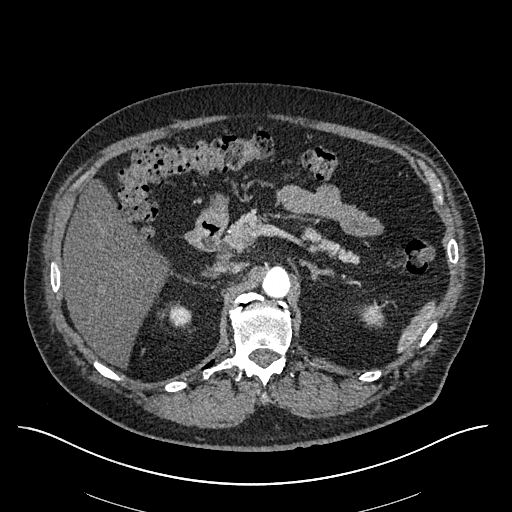
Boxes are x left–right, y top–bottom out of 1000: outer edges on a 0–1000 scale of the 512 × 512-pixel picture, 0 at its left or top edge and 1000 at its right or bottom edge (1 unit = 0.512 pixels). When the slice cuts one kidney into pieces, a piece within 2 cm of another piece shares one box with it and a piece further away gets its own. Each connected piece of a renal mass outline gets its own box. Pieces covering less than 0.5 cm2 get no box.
This is axial slice 403 of 670 (slice 1 is the lowest) of an arterial-phase abdominal CT with contrast; each pixel is 0.861 mm and the slice is 1.00 mm thick. Box x 322–371, y 590–639 out of 1000: right kidney (outlined area 443 px, about 3.3 cm2). No renal mass is outlined on this slice.
Tube voltage 120 kVp; convolution kernel I30f.